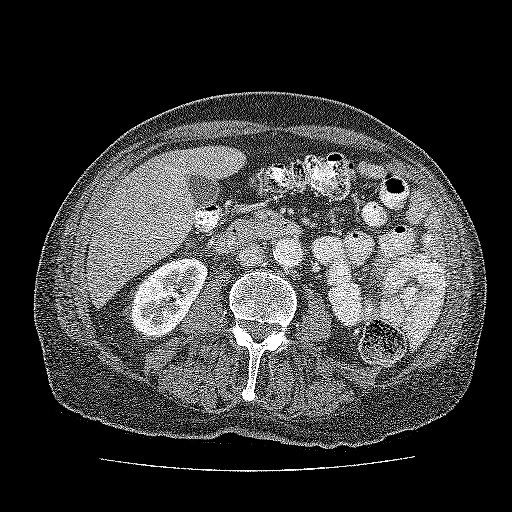
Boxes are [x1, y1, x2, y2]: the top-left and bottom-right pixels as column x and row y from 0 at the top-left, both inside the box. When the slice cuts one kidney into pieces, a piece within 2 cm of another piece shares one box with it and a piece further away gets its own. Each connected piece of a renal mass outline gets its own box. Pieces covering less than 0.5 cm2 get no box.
Slice 84/137 of a contrast-enhanced abdominal CT, counting up from the lowest; pixel size 0.741 mm, slice thickness 3.00 mm. Box [130, 256, 208, 338]: kidney (outlined area 4,370 px, about 24.0 cm2). No renal mass outline on this slice.
Scan settings: 120 kVp, FC52 reconstruction kernel.